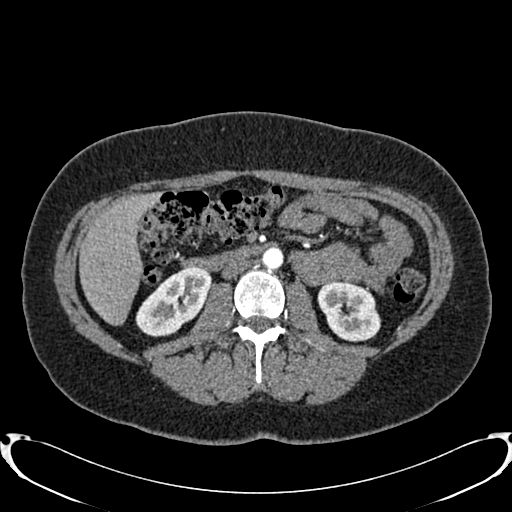
Abdominal CT with intravenous contrast, arterial phase, axial plane, 120 kVp, kernel B20f. Slice 422/719 from the bottom of the scan; thickness 1.00 mm; pixel size 0.766 mm.
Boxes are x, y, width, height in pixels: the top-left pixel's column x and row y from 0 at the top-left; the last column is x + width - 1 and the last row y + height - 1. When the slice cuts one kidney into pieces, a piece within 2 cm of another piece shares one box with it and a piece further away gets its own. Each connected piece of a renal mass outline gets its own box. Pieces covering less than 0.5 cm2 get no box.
Two boxes on this slice (two kidney boxes), listed by box centre from the image's left to its right. (1) Box x 135, y 266, width 77, height 72: right kidney (outlined area 3,423 px, about 20.1 cm2). (2) Left kidney, box x 317, y 281, width 65, height 61 (outlined area 2,898 px, about 17.0 cm2). No renal mass is outlined on this slice.